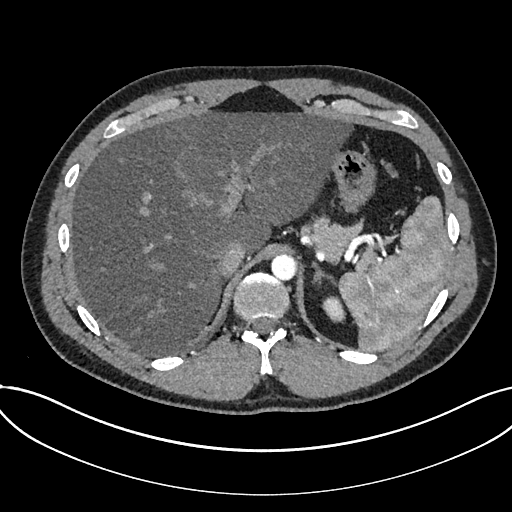
Axial slice 592 of 735 of a contrast-enhanced abdominal CT in the arterial phase (slice 1 is the lowest), 120 kVp, kernel I30f; 1.00 mm slice thickness and 0.789 mm pixels.
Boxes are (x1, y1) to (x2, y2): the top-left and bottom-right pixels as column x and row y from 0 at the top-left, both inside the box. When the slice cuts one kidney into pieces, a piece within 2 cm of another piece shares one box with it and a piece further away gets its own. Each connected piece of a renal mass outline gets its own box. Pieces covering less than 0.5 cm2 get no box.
Kidney, box (321, 296) to (345, 322) (outlined area 461 px, about 2.9 cm2). No renal mass outline on this slice.